Arterial-phase contrast-enhanced abdominal CT, axial slice 68 of 96 (counted from the lowest slice); tube voltage 120 kVp, convolution kernel I40f; slices 5.00 mm thick, 0.840 mm per pixel.
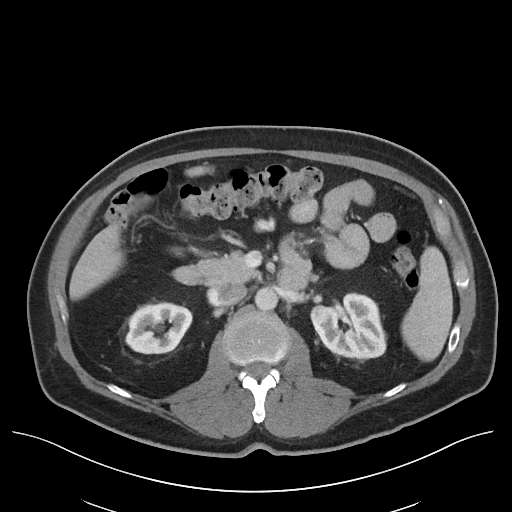
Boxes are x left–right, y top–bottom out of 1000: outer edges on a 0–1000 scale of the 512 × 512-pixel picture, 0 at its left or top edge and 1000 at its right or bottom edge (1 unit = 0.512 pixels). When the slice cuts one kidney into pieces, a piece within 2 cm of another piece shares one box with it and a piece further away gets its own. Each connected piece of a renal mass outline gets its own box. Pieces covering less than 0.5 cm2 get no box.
Three boxes on this slice (two kidney boxes and one renal mass box), listed by box centre from the image's left to its right. (1) Box x 244–377, y 590–691 out of 1000: right kidney (outlined area 2,681 px, about 18.9 cm2). (2) Box x 605–645, y 592–637 out of 1000: left renal mass (outlined area 349 px, about 2.5 cm2). (3) Left kidney at x 611–756, y 570–703 out of 1000 (outlined area 3,430 px, about 24.2 cm2).